Axial slice 400 of 670 of a contrast-enhanced abdominal CT in the arterial phase (slice 1 is the lowest), 120 kVp, kernel I30f; 1.00 mm slice thickness and 0.861 mm pixels.
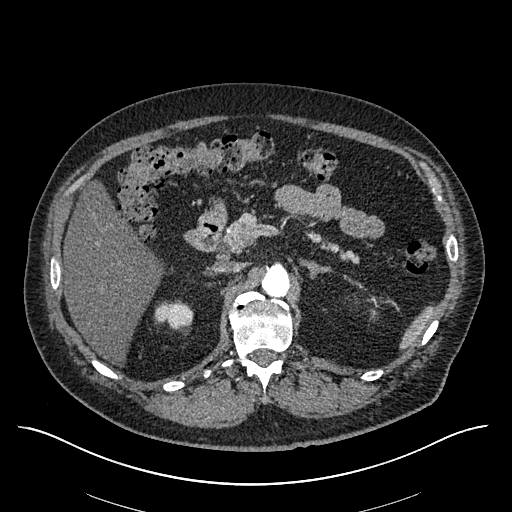
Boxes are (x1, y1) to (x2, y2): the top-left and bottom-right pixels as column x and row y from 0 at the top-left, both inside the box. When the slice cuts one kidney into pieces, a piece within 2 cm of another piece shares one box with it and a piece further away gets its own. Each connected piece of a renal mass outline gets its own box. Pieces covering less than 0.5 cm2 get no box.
Right kidney from (156, 299) to (192, 328) (outlined area 797 px, about 5.9 cm2). This slice carries no renal mass outline.